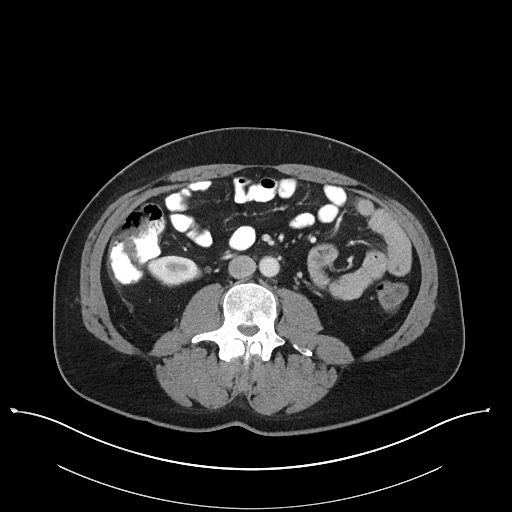
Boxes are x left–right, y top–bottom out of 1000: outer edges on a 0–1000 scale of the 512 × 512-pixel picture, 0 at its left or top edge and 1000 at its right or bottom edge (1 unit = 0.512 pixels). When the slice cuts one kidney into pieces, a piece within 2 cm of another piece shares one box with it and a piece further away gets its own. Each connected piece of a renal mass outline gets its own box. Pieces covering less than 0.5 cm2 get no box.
This is axial slice 57 of 101 (slice 1 is the lowest) of an abdominal CT with contrast; each pixel is 0.879 mm and the slice is 5.00 mm thick. Right kidney at x 285–395, y 500–561 out of 1000 (outlined area 1,232 px, about 9.5 cm2). This slice carries no renal mass outline.
Tube voltage 100 kVp; convolution kernel I40f.